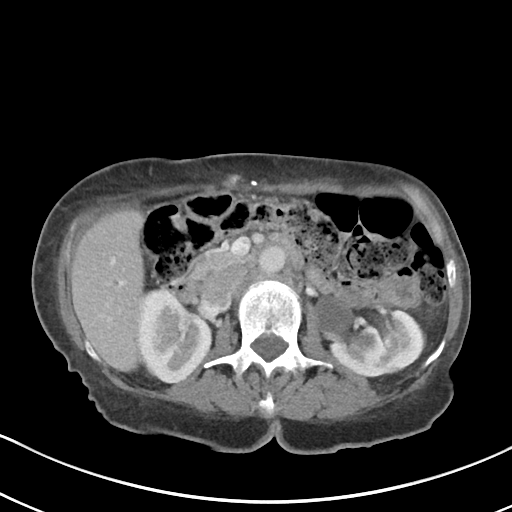
One axial slice (58 of 80, counting up from the lowest) of an arterial-phase abdominal CT acquired with 100 kVp, kernel I40f; each pixel is 0.648 mm and the slice is 5.00 mm thick.
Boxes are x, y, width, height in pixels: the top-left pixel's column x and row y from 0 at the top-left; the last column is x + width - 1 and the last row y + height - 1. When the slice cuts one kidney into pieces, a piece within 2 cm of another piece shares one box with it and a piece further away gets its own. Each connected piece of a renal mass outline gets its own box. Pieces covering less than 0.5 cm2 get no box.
Boxed on this slice (two kidney boxes), listed by box centre from the image's left to its right: (1) Right kidney, box x 139, y 290, width 73, height 92 (outlined area 4,719 px, about 19.8 cm2). (2) Box x 316, y 295, width 107, height 81: left kidney (outlined area 5,039 px, about 21.2 cm2). No renal mass is outlined on this slice.